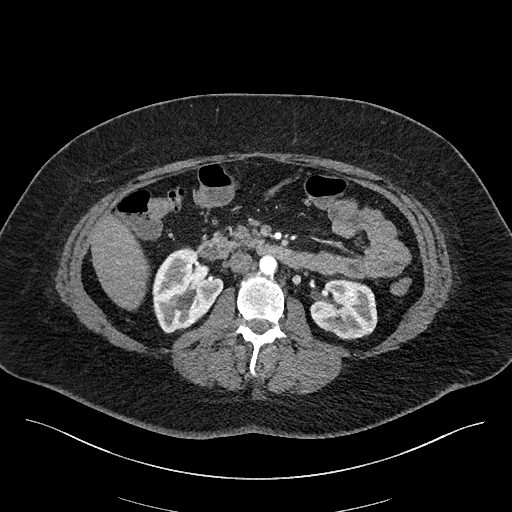
Axial slice 100 of 270 of a contrast-enhanced abdominal CT in the arterial phase (slice 1 is the lowest), 100 kVp, kernel I40f; 2.00 mm slice thickness and 0.855 mm pixels.
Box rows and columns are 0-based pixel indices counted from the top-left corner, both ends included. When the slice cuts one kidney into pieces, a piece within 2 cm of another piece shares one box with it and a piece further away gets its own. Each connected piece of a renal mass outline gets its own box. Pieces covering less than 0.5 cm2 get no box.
Two kidney boxes on this slice; by box centre, from the image's left to its right: (1) Right kidney, box rows 247–333, columns 152–223 (outlined area 4,223 px, about 30.9 cm2). (2) Box rows 279–339, columns 310–377: left kidney (outlined area 3,192 px, about 23.4 cm2). No renal mass outline on this slice.